Abdominal CT with intravenous contrast, arterial phase, axial plane, 100 kVp, kernel I30f. Slice 420/1059 from the bottom of the scan; thickness 1.00 mm; pixel size 0.811 mm.
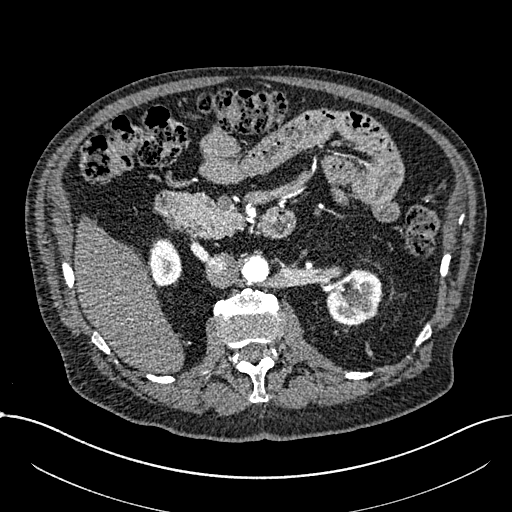
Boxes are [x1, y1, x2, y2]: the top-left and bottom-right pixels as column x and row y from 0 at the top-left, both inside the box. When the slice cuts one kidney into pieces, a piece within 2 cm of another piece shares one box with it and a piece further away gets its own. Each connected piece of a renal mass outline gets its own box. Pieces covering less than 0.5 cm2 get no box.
Boxed on this slice (two kidney boxes), listed by box centre from the image's left to its right: (1) Right part of the midline-crossing kidney, box [150, 238, 182, 287] (outlined area 1,253 px, about 8.2 cm2). (2) Left part of the midline-crossing kidney at [326, 270, 381, 324] (outlined area 2,354 px, about 15.5 cm2). No renal mass is outlined on this slice.